Contrast-enhanced abdominal CT, axial slice 18 of 80 (counted from the lowest slice); tube voltage 120 kVp, convolution kernel B30f; slices 3.00 mm thick, 0.822 mm per pixel.
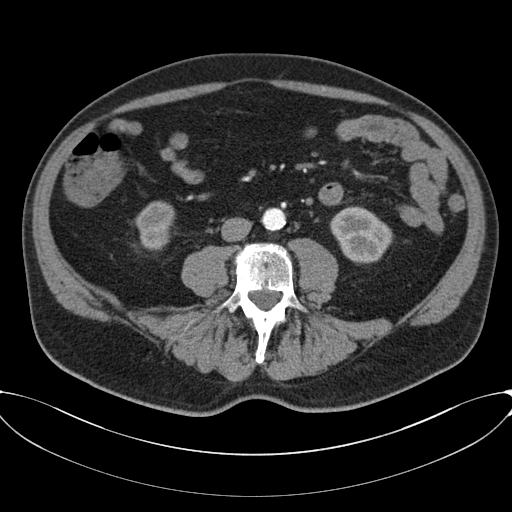
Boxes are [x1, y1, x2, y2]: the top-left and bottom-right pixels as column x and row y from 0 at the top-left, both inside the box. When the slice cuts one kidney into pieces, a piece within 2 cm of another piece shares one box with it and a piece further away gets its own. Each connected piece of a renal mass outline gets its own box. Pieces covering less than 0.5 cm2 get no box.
Two kidney boxes on this slice; by box centre, from the image's left to its right: (1) Right kidney at [134, 201, 175, 250] (outlined area 1,492 px, about 10.1 cm2). (2) Box [330, 206, 393, 264]: left kidney (outlined area 2,618 px, about 17.7 cm2). No renal mass is outlined on this slice.